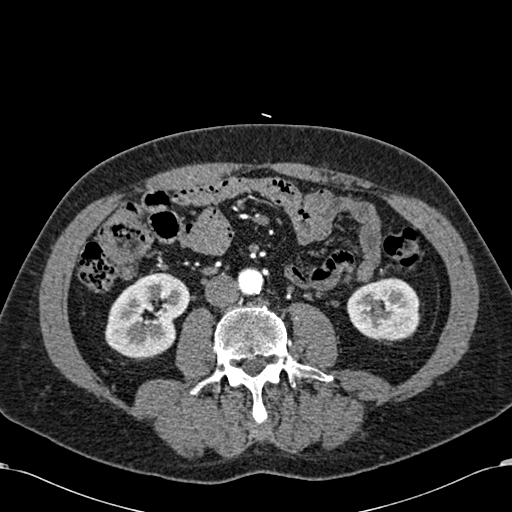
Abdominal CT with intravenous contrast, arterial phase, axial plane, 120 kVp, kernel B30f. Slice 261/581 from the bottom of the scan; thickness 1.00 mm; pixel size 0.713 mm.
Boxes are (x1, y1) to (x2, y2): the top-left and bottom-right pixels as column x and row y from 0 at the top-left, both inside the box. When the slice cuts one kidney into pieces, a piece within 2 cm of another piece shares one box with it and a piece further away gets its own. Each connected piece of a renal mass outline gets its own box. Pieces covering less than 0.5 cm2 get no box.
Two kidney boxes on this slice; by box centre, from the image's left to its right: (1) Right kidney from (104, 272) to (190, 359) (outlined area 5,237 px, about 26.6 cm2). (2) Left kidney from (346, 277) to (420, 340) (outlined area 3,722 px, about 18.9 cm2). This slice carries no renal mass outline.